Arterial-phase contrast-enhanced abdominal CT, axial slice 437 of 581 (counted from the lowest slice); tube voltage 120 kVp, convolution kernel B30f; slices 1.00 mm thick, 0.713 mm per pixel.
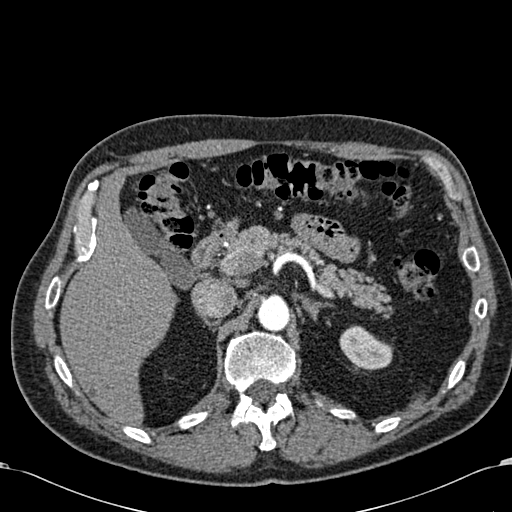
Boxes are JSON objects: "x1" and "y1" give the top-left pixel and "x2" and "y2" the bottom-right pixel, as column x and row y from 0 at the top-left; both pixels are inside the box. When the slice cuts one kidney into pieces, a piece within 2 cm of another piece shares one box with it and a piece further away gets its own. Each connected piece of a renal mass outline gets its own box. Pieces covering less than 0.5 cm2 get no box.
Left kidney, box {"x1": 339, "y1": 325, "x2": 393, "y2": 370} (outlined area 1,686 px, about 8.6 cm2). This slice carries no renal mass outline.